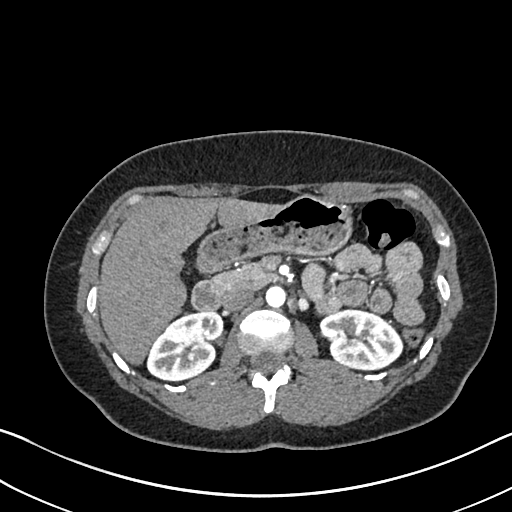
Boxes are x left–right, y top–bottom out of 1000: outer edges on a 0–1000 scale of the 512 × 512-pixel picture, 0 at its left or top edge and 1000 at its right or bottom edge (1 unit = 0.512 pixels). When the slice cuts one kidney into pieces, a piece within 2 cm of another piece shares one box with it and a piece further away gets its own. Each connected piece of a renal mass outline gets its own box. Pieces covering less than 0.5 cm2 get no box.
This is axial slice 429 of 612 (slice 1 is the lowest) of an arterial-phase abdominal CT with contrast; each pixel is 0.703 mm and the slice is 1.00 mm thick. Boxed on this slice (two kidney boxes), listed by box centre from the image's left to its right: (1) Right kidney at x 285–439, y 607–744 out of 1000 (outlined area 3,898 px, about 19.3 cm2). (2) Left kidney, box x 621–789, y 600–727 out of 1000 (outlined area 3,904 px, about 19.3 cm2).
Acquired at 120 kVp and reconstructed with the I30f kernel.